Arterial-phase contrast-enhanced abdominal CT, axial slice 363 of 738 (counted from the lowest slice); tube voltage 120 kVp, convolution kernel I30f; slices 1.00 mm thick, 0.789 mm per pixel.
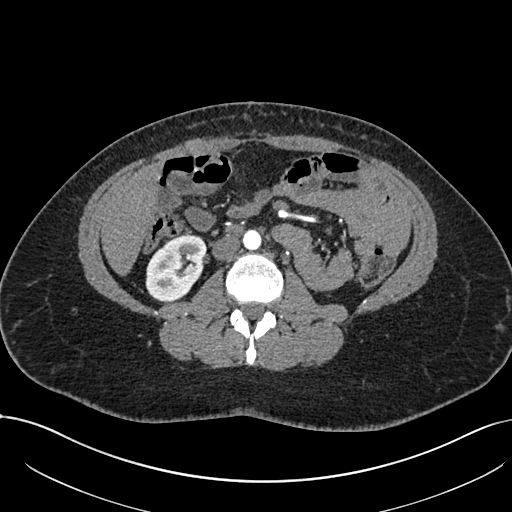
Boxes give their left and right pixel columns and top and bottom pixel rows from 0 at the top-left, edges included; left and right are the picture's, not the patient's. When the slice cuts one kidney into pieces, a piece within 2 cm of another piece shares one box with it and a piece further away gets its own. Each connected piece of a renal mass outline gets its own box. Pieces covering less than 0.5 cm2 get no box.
Box with left 145, top 234, right 206, bottom 301: right kidney (outlined area 3,046 px, about 19.0 cm2). This slice carries no renal mass outline.